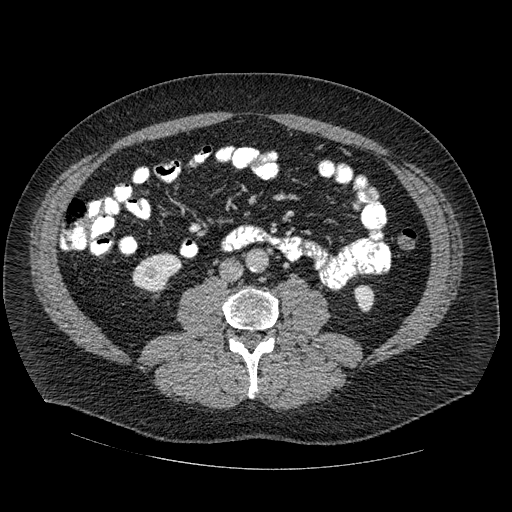
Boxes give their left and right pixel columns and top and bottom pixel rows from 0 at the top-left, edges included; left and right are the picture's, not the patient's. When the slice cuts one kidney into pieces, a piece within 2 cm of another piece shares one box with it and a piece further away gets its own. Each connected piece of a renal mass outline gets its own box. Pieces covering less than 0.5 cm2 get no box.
Arterial-phase contrast-enhanced abdominal CT, axial slice 233 of 445 (counted from the lowest slice); 1.25 mm thick, 0.863 mm per pixel. Boxed on this slice (two kidney boxes), listed by box centre from the image's left to its right: (1) Right kidney in the box with left 131, top 252, right 182, bottom 296 (outlined area 1,456 px, about 10.9 cm2). (2) Left kidney in the box with left 354, top 285, right 374, bottom 312 (outlined area 441 px, about 3.3 cm2). No renal mass outline on this slice.
Acquired at 120 kVp and reconstructed with the STANDARD kernel.